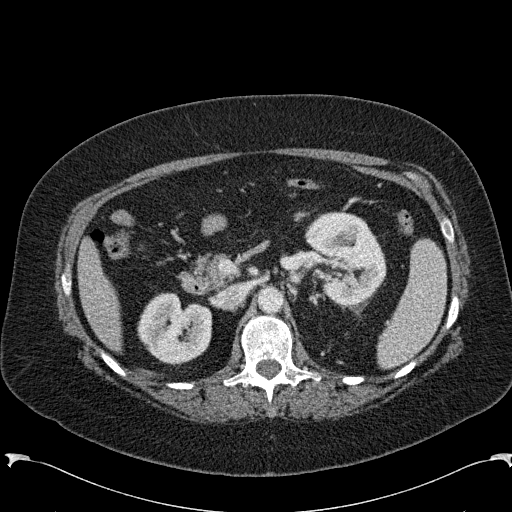
Arterial-phase contrast-enhanced abdominal CT, axial slice 151 of 285 (counted from the lowest slice); tube voltage 120 kVp, convolution kernel B31f; slices 2.00 mm thick, 0.762 mm per pixel.
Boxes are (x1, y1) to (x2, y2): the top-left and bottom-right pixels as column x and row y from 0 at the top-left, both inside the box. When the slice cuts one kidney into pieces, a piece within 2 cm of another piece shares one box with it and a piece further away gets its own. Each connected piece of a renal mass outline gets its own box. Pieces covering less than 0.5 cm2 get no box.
Two kidney boxes on this slice; by box centre, from the image's left to its right: (1) Right kidney from (137, 292) to (212, 365) (outlined area 4,081 px, about 23.7 cm2). (2) Box (305, 211) to (386, 306): left kidney (outlined area 5,715 px, about 33.2 cm2). No renal mass outline on this slice.